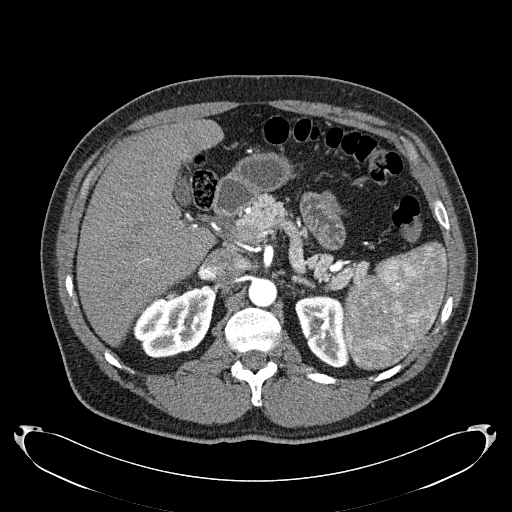
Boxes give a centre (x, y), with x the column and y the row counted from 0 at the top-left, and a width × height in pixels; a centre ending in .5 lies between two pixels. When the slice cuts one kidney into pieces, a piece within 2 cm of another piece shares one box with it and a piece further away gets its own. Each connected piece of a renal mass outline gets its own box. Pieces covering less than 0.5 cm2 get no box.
Slice 152/279 of a contrast-enhanced abdominal CT in the arterial phase, counting up from the lowest; pixel size 0.824 mm, slice thickness 2.00 mm. Two boxes on this slice (two kidney boxes), listed by box centre from the image's left to its right. (1) Box centre (174, 321.5), 85 × 74 pixels: right kidney (outlined area 4,199 px, about 28.5 cm2). (2) Box centre (322, 331.5), 55 × 72 pixels: left kidney (outlined area 2,788 px, about 18.9 cm2). This slice carries no renal mass outline.
Acquired at 120 kVp and reconstructed with the B31f kernel.